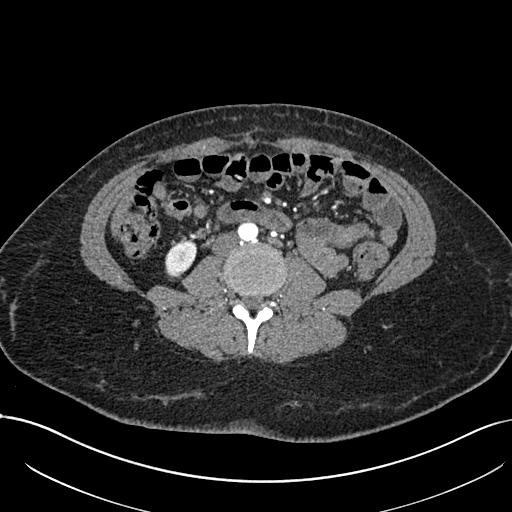
Arterial-phase contrast-enhanced abdominal CT, axial slice 311 of 738 (counted from the lowest slice); tube voltage 120 kVp, convolution kernel I30f; slices 1.00 mm thick, 0.789 mm per pixel.
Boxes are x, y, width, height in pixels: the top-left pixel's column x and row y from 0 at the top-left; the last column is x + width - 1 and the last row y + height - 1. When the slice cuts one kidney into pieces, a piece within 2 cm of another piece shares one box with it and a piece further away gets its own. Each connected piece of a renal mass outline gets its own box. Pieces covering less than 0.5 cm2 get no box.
Right kidney, box x 164, y 239, width 33, height 39 (outlined area 933 px, about 5.8 cm2). No renal mass outline on this slice.